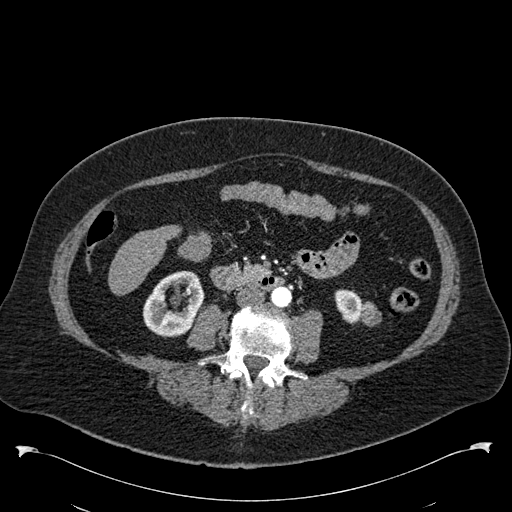
One axial slice (239 of 538, counting up from the lowest) of an arterial-phase abdominal CT acquired with 120 kVp, kernel B30f; each pixel is 0.811 mm and the slice is 1.00 mm thick.
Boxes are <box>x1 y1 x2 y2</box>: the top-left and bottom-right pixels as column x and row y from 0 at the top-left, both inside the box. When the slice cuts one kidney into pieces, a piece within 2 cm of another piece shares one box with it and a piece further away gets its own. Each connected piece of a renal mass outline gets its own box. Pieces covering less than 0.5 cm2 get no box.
Boxed on this slice (two kidney boxes and one renal mass box), listed by box centre from the image's left to its right: (1) Right kidney: <box>142 270 204 337</box> (outlined area 2,800 px, about 18.4 cm2). (2) Left kidney: <box>334 289 361 324</box> (outlined area 738 px, about 4.8 cm2). (3) Left renal mass at <box>360 301 381 326</box> (outlined area 413 px, about 2.7 cm2).